Axial slice 396 of 683 of a contrast-enhanced abdominal CT in the arterial phase (slice 1 is the lowest), 120 kVp, kernel I30f; 1.00 mm slice thickness and 0.738 mm pixels.
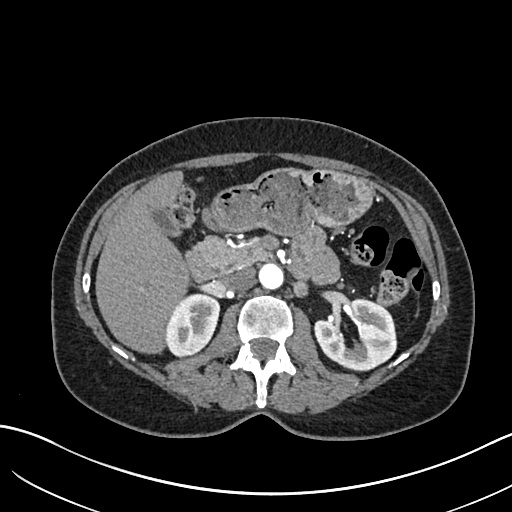
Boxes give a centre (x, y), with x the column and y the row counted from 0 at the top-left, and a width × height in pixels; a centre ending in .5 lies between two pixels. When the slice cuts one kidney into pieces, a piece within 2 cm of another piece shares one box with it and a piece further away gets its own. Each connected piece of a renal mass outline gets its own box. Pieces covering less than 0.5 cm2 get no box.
Two kidney boxes on this slice; by box centre, from the image's left to its right: (1) Right kidney, box centre (192.5, 324.5), 56 × 64 pixels (outlined area 2,609 px, about 14.2 cm2). (2) Box centre (355.5, 333.5), 84 × 72 pixels: left kidney (outlined area 4,131 px, about 22.5 cm2). This slice carries no renal mass outline.